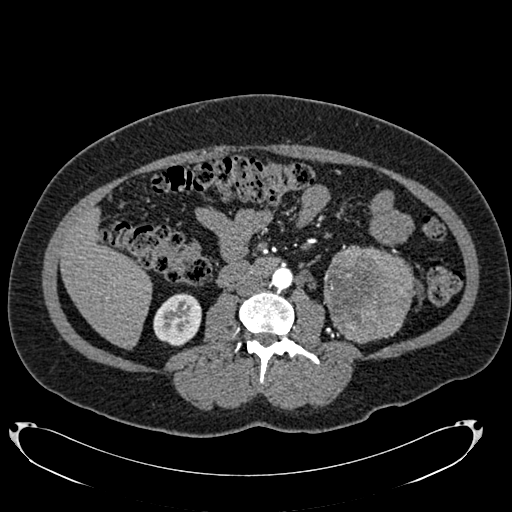
One axial slice (356 of 634, counting up from the lowest) of an arterial-phase abdominal CT acquired with 120 kVp, kernel B20f; each pixel is 0.838 mm and the slice is 1.00 mm thick.
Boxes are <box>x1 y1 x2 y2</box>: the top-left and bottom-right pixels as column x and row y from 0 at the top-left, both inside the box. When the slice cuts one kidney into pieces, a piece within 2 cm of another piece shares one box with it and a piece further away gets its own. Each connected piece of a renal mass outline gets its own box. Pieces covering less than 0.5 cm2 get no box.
Two boxes on this slice (one kidney box and one renal mass box), listed by box centre from the image's left to its right. (1) Right kidney: <box>153 293 201 346</box> (outlined area 1,995 px, about 14.0 cm2). (2) Left renal mass: <box>323 245 413 343</box> (outlined area 7,029 px, about 49.3 cm2); here it is more than 1 cm from any kidney outline, though on another slice the same outlined renal mass lies within 1 cm of the kidney.